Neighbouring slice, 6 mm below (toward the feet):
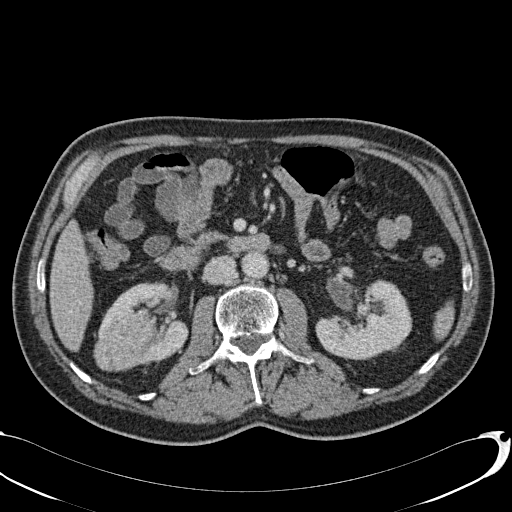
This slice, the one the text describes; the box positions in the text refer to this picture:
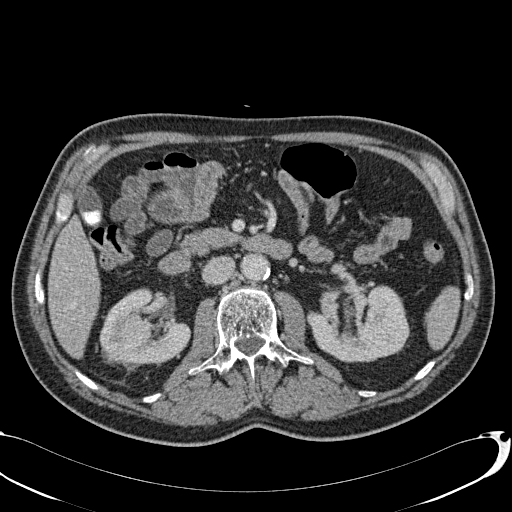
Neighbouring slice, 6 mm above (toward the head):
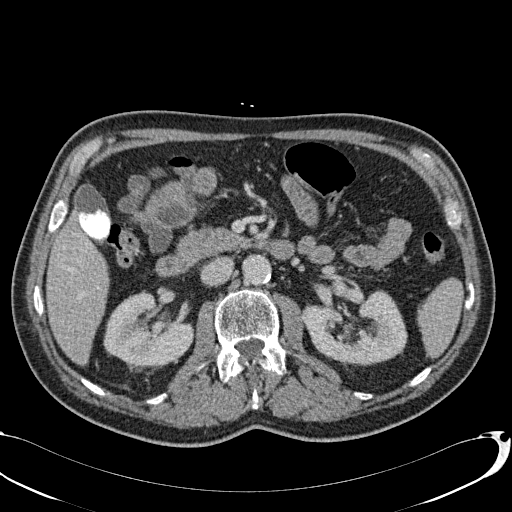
One axial slice (42 of 113, counting up from the lowest) of a contrast-enhanced abdominal CT acquired with 120 kVp, kernel B31f; each pixel is 0.742 mm and the slice is 2.00 mm thick.
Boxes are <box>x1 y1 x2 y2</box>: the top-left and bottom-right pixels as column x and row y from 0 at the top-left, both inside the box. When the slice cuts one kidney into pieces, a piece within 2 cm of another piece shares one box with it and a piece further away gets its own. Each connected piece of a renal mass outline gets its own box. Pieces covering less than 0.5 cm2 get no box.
Two kidney boxes and one renal mass box on this slice; by box centre, from the image's left to its right: (1) Right renal mass at <box>110 317 138 340</box> (outlined area 494 px, about 2.7 cm2). (2) Right kidney: <box>99 287 190 365</box> (outlined area 4,714 px, about 26.0 cm2). (3) At <box>307 285 409 362</box>: left kidney (outlined area 5,798 px, about 31.9 cm2). This slice is near the end of the right renal mass toward the head, so the slices 6 mm below and 6 mm above it are shown as well; the boxes refer to this slice only.